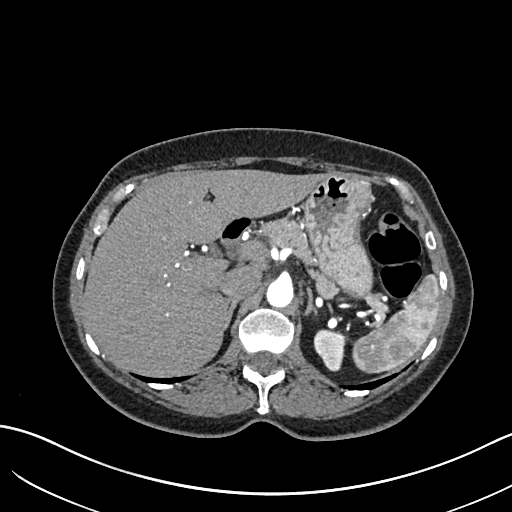
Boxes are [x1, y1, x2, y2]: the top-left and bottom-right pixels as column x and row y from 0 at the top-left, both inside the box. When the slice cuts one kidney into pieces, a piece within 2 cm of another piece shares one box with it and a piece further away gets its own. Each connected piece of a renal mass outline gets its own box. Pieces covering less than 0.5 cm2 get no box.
Slice 469/683 of a contrast-enhanced abdominal CT in the arterial phase, counting up from the lowest; pixel size 0.738 mm, slice thickness 1.00 mm. Box [313, 330, 348, 371]: left kidney (outlined area 1,043 px, about 5.7 cm2). No renal mass outline on this slice.
Scan settings: 120 kVp, I30f reconstruction kernel.